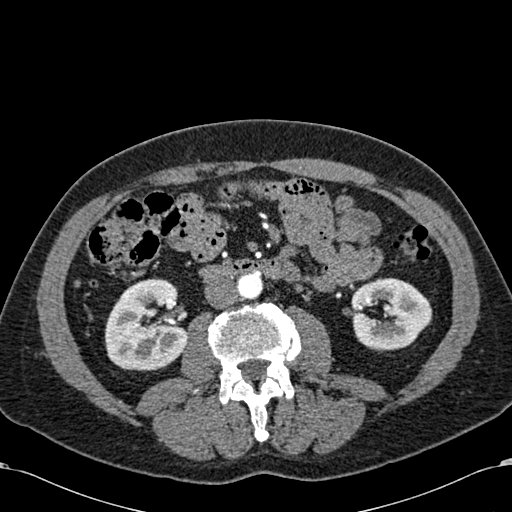
Axial slice 293 of 581 of a contrast-enhanced abdominal CT in the arterial phase (slice 1 is the lowest), 120 kVp, kernel B30f; 1.00 mm slice thickness and 0.713 mm pixels.
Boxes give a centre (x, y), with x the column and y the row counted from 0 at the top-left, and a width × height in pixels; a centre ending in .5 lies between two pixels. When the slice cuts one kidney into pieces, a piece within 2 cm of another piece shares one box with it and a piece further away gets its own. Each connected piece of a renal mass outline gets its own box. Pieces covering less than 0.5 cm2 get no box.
Two boxes on this slice (two kidney boxes), listed by box centre from the image's left to its right. (1) Box centre (146, 324), 85 × 93 pixels: right kidney (outlined area 5,948 px, about 30.2 cm2). (2) Left kidney in a box with centre (391, 314.5), 83 × 74 pixels (outlined area 4,428 px, about 22.5 cm2). No renal mass is outlined on this slice.